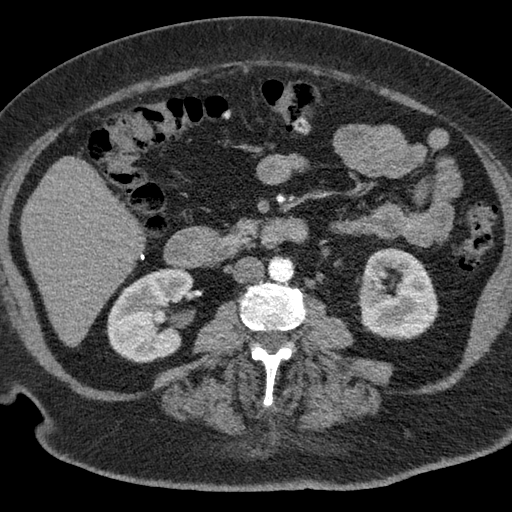
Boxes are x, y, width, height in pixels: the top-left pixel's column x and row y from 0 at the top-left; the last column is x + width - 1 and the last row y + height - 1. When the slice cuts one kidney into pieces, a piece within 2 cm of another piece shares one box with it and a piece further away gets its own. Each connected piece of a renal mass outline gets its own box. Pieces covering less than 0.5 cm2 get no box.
This is axial slice 28 of 76 (slice 1 is the lowest) of an abdominal CT with contrast; each pixel is 0.684 mm and the slice is 3.00 mm thick. Boxed on this slice (two kidney boxes), listed by box centre from the image's left to its right: (1) Right kidney at x 106, y 267, width 88, height 96 (outlined area 6,030 px, about 28.2 cm2). (2) Box x 358, y 248, width 81, height 93: left kidney (outlined area 5,749 px, about 26.9 cm2). This slice carries no renal mass outline.
Acquired at 120 kVp and reconstructed with the B kernel.